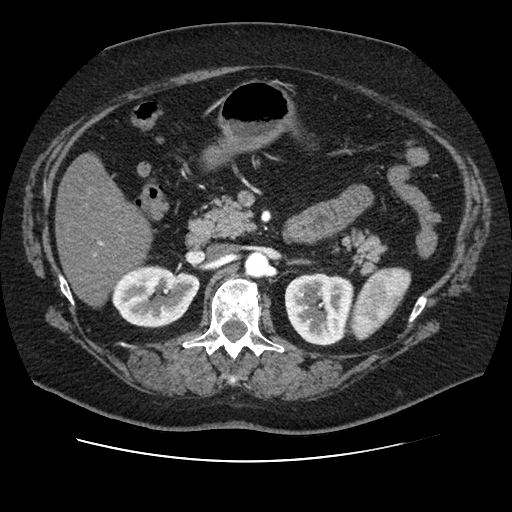
Arterial-phase contrast-enhanced abdominal CT, axial slice 62 of 106 (counted from the lowest slice); tube voltage 120 kVp, convolution kernel STANDARD; slices 2.50 mm thick, 0.742 mm per pixel.
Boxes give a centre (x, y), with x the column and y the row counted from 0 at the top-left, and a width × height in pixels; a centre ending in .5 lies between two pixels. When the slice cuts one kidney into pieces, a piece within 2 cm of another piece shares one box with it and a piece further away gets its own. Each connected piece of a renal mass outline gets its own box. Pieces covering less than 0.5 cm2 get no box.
Two boxes on this slice (two kidney boxes), listed by box centre from the image's left to its right. (1) Right kidney, box centre (155.5, 296.5), 90 × 64 pixels (outlined area 4,160 px, about 22.9 cm2). (2) Left kidney, box centre (318.5, 309), 70 × 73 pixels (outlined area 4,045 px, about 22.3 cm2). This slice carries no renal mass outline.